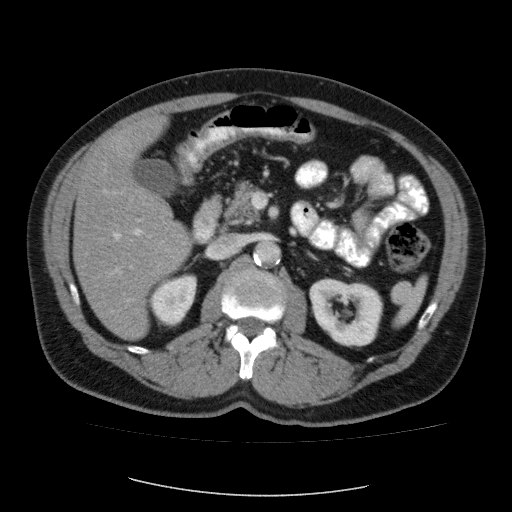
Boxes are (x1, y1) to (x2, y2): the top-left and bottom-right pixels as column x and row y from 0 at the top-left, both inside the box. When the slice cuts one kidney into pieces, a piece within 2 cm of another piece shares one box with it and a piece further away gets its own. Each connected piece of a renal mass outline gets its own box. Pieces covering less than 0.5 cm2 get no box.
Slice 58/87 of a contrast-enhanced abdominal CT, counting up from the lowest; pixel size 0.812 mm, slice thickness 5.00 mm. Two boxes on this slice (two kidney boxes), listed by box centre from the image's left to its right. (1) Box (147, 274) to (197, 327): right kidney (outlined area 1,884 px, about 12.4 cm2). (2) Box (309, 278) to (383, 347): left kidney (outlined area 3,782 px, about 24.9 cm2). No renal mass is outlined on this slice.
Tube voltage 120 kVp; convolution kernel FC12.